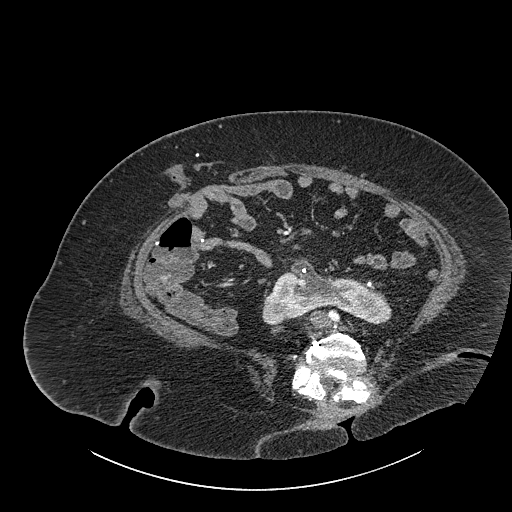
Contrast-enhanced abdominal CT, axial slice 443 of 834 (counted from the lowest slice); tube voltage 140 kVp, convolution kernel I30f; slices 1.00 mm thick, 0.977 mm per pixel.
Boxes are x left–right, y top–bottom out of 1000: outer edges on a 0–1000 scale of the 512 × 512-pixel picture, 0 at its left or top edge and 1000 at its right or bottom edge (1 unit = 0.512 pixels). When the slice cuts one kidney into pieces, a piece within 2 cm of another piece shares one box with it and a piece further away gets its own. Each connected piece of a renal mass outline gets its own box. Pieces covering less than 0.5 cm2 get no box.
Kidney crossing the body midline at x 512–764, y 504–637 out of 1000 (outlined area 4,890 px, about 46.6 cm2). No renal mass outline on this slice.